Abdominal CT with intravenous contrast, arterial phase, axial plane, 100 kVp, kernel I40f. Slice 75/316 from the bottom of the scan; thickness 2.00 mm; pixel size 0.840 mm.
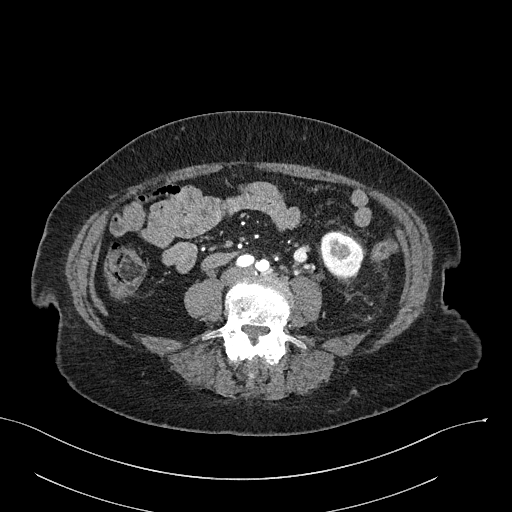
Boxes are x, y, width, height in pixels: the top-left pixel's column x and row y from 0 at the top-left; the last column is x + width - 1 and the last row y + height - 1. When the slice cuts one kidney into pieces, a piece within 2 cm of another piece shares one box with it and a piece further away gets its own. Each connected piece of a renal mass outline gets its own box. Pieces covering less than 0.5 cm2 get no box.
Left kidney, box x 320, y 232, width 43, height 45 (outlined area 1,526 px, about 10.8 cm2). No renal mass outline on this slice.